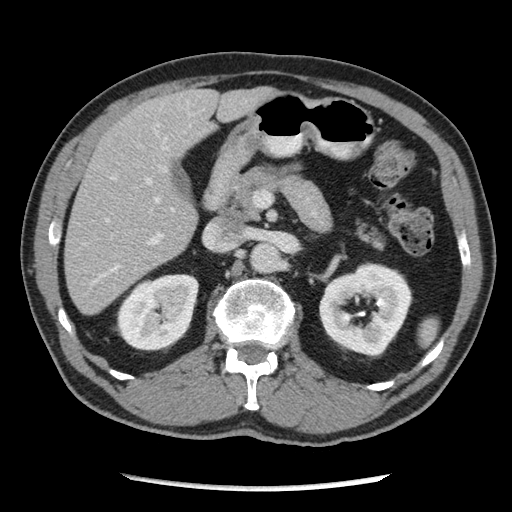
Arterial-phase contrast-enhanced abdominal CT, axial slice 132 of 262 (counted from the lowest slice); tube voltage 120 kVp, convolution kernel STANDARD; slices 2.50 mm thick, 0.703 mm per pixel.
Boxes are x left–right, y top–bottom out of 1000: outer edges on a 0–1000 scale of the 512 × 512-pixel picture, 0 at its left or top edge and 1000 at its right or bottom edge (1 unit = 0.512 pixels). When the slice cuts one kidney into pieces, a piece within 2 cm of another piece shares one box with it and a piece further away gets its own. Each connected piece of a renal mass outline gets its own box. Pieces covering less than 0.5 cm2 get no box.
Two boxes on this slice (two kidney boxes), listed by box centre from the image's left to its right. (1) Right kidney, box x 227–391, y 535–688 out of 1000 (outlined area 4,917 px, about 24.3 cm2). (2) Box x 623–807, y 512–697 out of 1000: left kidney (outlined area 6,293 px, about 31.1 cm2). This slice carries no renal mass outline.